Arterial-phase contrast-enhanced abdominal CT, axial slice 390 of 683 (counted from the lowest slice); tube voltage 120 kVp, convolution kernel I30f; slices 1.00 mm thick, 0.738 mm per pixel.
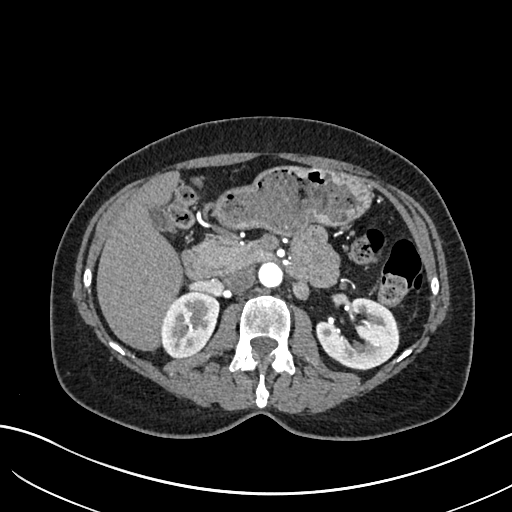
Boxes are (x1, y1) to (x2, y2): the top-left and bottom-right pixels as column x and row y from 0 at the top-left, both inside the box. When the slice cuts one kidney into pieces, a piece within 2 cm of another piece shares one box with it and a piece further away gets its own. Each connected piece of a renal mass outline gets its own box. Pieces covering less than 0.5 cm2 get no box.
Two boxes on this slice (two kidney boxes), listed by box centre from the image's left to its right. (1) Right kidney from (161, 291) to (219, 358) (outlined area 3,019 px, about 16.5 cm2). (2) Left kidney from (317, 297) to (399, 368) (outlined area 3,732 px, about 20.3 cm2). No renal mass is outlined on this slice.